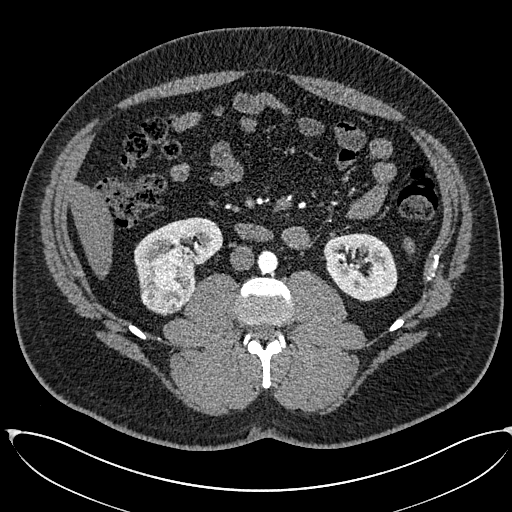
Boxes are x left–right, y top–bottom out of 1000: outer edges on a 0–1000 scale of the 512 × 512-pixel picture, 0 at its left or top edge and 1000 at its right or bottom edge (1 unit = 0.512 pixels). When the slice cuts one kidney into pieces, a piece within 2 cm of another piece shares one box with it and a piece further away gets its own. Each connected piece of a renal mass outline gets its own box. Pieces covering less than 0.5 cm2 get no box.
This is axial slice 294 of 673 (slice 1 is the lowest) of an arterial-phase abdominal CT with contrast; each pixel is 0.855 mm and the slice is 1.00 mm thick. Boxed on this slice (two kidney boxes and one renal mass box), listed by box centre from the image's left to its right: (1) Right renal mass, box x 271–387, y 482–615 out of 1000 (outlined area 2,829 px, about 20.7 cm2). (2) Box x 262–438, y 424–559 out of 1000: right kidney (outlined area 3,022 px, about 22.1 cm2). (3) Left kidney, box x 631–777, y 455–590 out of 1000 (outlined area 3,884 px, about 28.4 cm2).
Tube voltage 120 kVp; convolution kernel I30f.